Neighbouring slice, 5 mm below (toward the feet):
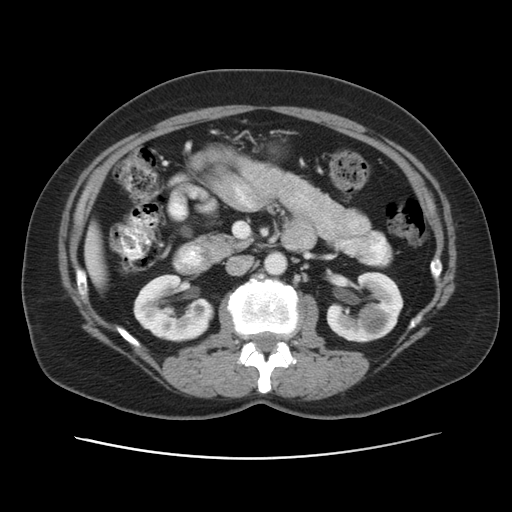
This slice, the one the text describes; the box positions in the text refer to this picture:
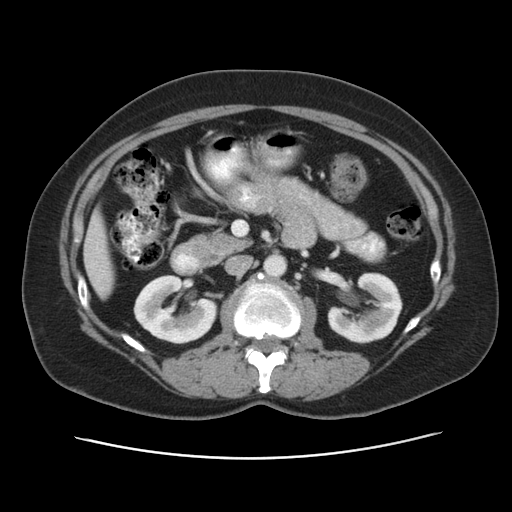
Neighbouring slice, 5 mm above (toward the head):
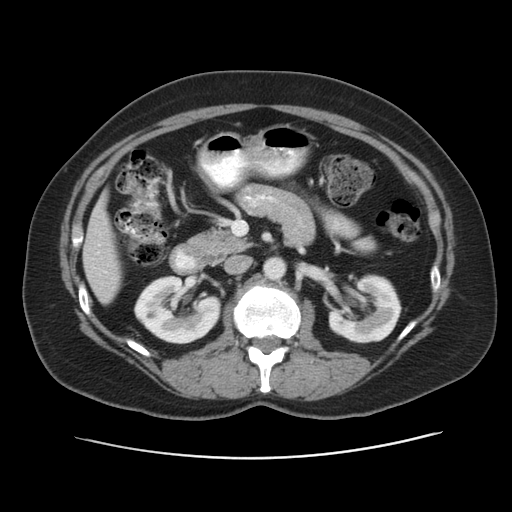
Abdominal CT with intravenous contrast, arterial phase, axial plane, 120 kVp, kernel STANDARD. Slice 27/53 from the bottom of the scan; thickness 5.00 mm; pixel size 0.703 mm.
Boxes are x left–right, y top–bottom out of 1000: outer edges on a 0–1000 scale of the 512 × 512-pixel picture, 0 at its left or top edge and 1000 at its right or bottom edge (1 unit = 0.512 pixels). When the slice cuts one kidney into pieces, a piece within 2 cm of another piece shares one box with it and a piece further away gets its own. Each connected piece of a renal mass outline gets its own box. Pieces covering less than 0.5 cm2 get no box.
Three boxes on this slice (two kidney boxes and one renal mass box), listed by box centre from the image's left to its right. (1) Box x 260–426, y 535–674 out of 1000: right kidney (outlined area 4,077 px, about 20.2 cm2). (2) Left kidney, box x 639–787, y 531–672 out of 1000 (outlined area 3,394 px, about 16.8 cm2). (3) Left renal mass, box x 705–744, y 605–643 out of 1000 (outlined area 306 px, about 1.5 cm2). This slice is near the end of the left renal mass toward the head, so the slices 5 mm below and 5 mm above it are shown as well; the boxes refer to this slice only.